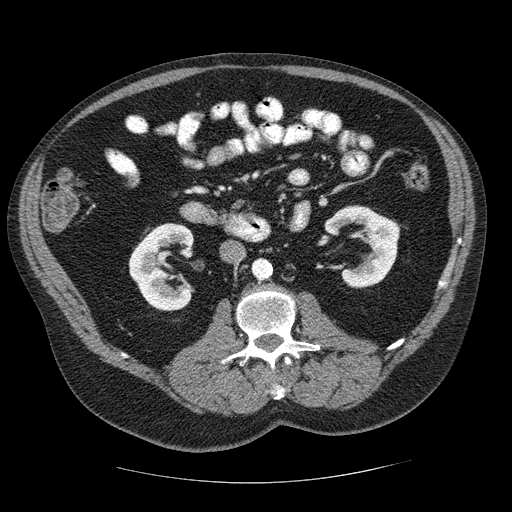
Axial slice 124 of 206 of a contrast-enhanced abdominal CT (slice 1 is the lowest), 120 kVp, kernel STANDARD; 2.50 mm slice thickness and 0.879 mm pixels.
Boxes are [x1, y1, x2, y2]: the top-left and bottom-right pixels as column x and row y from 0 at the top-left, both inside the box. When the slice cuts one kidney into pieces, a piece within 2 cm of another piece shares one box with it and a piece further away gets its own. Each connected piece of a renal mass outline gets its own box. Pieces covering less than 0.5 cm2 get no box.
Boxed on this slice (two kidney boxes), listed by box centre from the image's left to its right: (1) Box [128, 223, 194, 311]: right kidney (outlined area 4,078 px, about 31.5 cm2). (2) Left kidney at [324, 204, 400, 288] (outlined area 3,720 px, about 28.7 cm2). No renal mass is outlined on this slice.